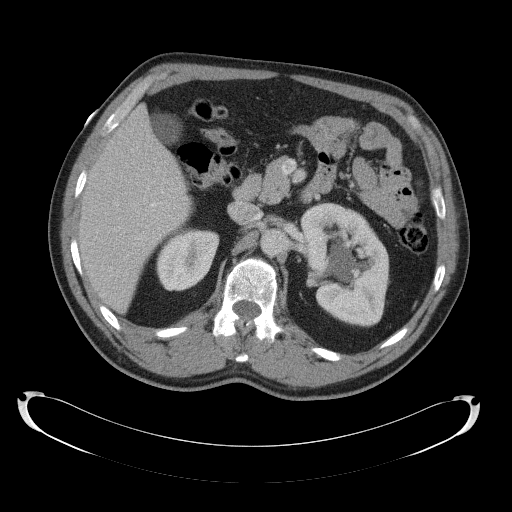
Contrast-enhanced abdominal CT, axial slice 75 of 145 (counted from the lowest slice); tube voltage 120 kVp, convolution kernel B41f; slices 5.00 mm thick, 0.859 mm per pixel.
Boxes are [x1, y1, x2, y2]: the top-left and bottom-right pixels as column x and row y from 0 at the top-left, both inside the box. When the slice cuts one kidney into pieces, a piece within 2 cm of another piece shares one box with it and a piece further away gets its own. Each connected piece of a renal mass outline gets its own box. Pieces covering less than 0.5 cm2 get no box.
Two boxes on this slice (two kidney boxes), listed by box centre from the image's left to its right. (1) Box [156, 227, 219, 291]: right kidney (outlined area 3,000 px, about 22.2 cm2). (2) Left kidney at [300, 202, 389, 327] (outlined area 8,347 px, about 61.6 cm2). This slice carries no renal mass outline.